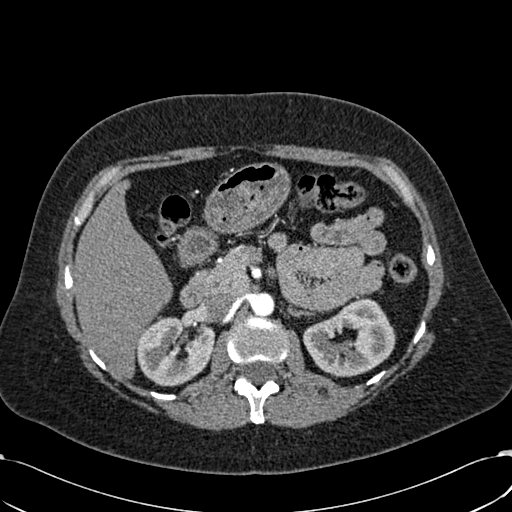
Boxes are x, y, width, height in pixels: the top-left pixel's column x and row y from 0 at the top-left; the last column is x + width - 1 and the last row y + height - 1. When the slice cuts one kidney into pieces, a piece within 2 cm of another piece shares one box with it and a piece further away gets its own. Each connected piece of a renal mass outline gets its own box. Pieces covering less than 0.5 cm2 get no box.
Arterial-phase contrast-enhanced abdominal CT, axial slice 395 of 532 (counted from the lowest slice); 1.00 mm thick, 0.713 mm per pixel. Boxed on this slice (two kidney boxes), listed by box centre from the image's left to its right: (1) Right kidney at x 136, y 317, width 80, height 70 (outlined area 4,139 px, about 21.0 cm2). (2) Box x 303, y 298, width 93, height 80: left kidney (outlined area 4,895 px, about 24.9 cm2). This slice carries no renal mass outline.
Acquired at 120 kVp and reconstructed with the B30f kernel.